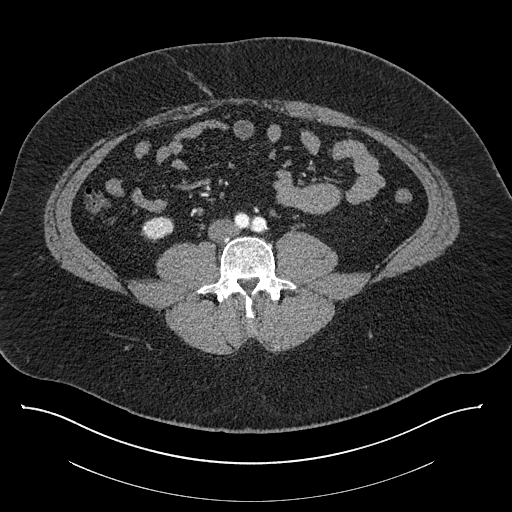
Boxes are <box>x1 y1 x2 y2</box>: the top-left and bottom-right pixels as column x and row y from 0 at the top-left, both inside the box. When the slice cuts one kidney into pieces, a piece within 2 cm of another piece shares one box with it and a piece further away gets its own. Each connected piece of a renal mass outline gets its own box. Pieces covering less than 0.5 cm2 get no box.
Contrast-enhanced abdominal CT, axial slice 323 of 787 (counted from the lowest slice); 1.00 mm thick, 0.910 mm per pixel. At <box>141 216 174 242</box>: right kidney (outlined area 630 px, about 5.2 cm2). No renal mass is outlined on this slice.
Scan settings: 140 kVp, I30f reconstruction kernel.